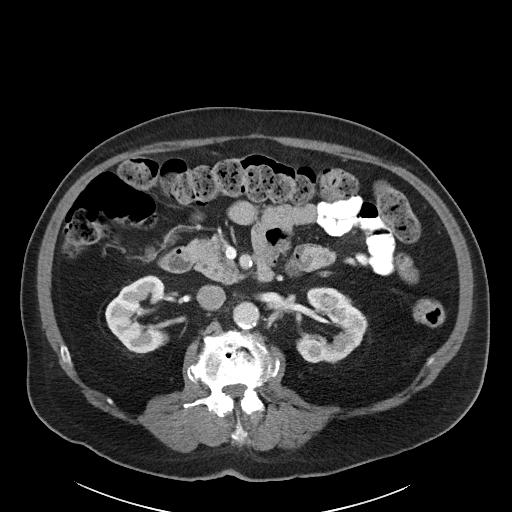
One axial slice (60 of 89, counting up from the lowest) of an arterial-phase abdominal CT acquired with 100 kVp, kernel I40f; each pixel is 0.885 mm and the slice is 5.00 mm thick.
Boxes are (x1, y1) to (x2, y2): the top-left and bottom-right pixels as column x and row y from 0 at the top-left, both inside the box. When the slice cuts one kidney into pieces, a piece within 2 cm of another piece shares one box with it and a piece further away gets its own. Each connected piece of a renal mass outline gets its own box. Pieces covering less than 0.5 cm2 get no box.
Boxed on this slice (two kidney boxes and one renal mass box), listed by box centre from the image's left to its right: (1) Box (105, 275) to (168, 353): right kidney (outlined area 3,367 px, about 26.4 cm2). (2) Left renal mass from (301, 342) to (321, 362) (outlined area 334 px, about 2.6 cm2). (3) Left kidney, box (296, 287) to (367, 363) (outlined area 3,313 px, about 25.9 cm2).